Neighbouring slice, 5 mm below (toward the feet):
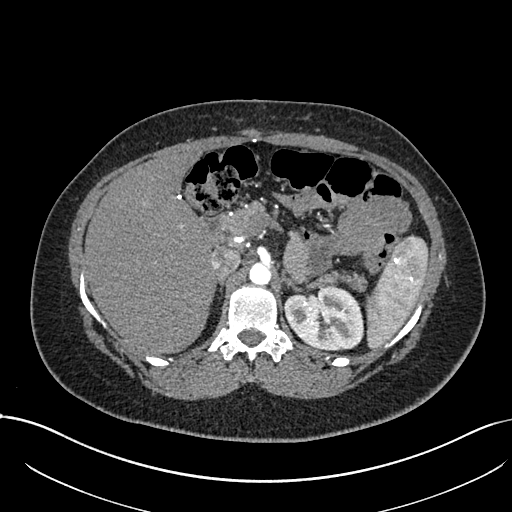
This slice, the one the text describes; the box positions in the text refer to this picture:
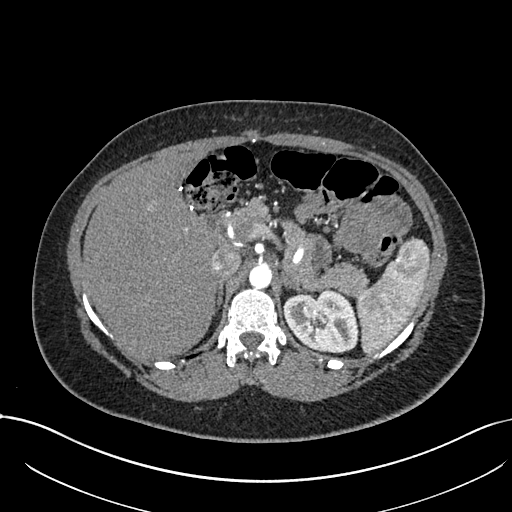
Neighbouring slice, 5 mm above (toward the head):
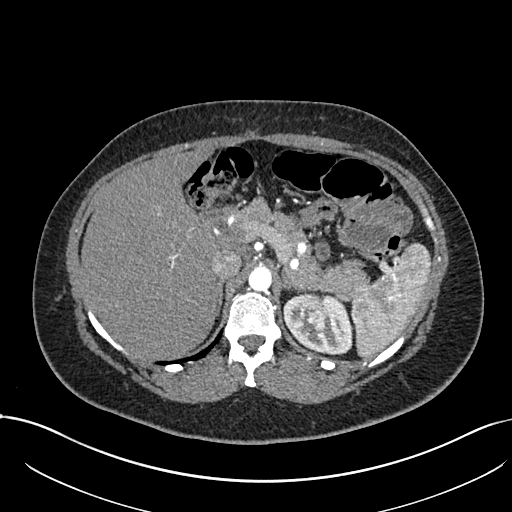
Arterial-phase contrast-enhanced abdominal CT, axial slice 520 of 738 (counted from the lowest slice); tube voltage 120 kVp, convolution kernel I30f; slices 1.00 mm thick, 0.789 mm per pixel.
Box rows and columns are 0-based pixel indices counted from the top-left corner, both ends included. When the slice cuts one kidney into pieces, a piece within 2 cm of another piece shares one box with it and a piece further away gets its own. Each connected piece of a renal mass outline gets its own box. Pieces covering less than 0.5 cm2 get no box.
One kidney box and one renal mass box on this slice; by box centre, from the image's left to its right: (1) Box rows 301–314, columns 306–322: left renal mass (outlined area 189 px, about 1.2 cm2). (2) Left kidney, box rows 290–353, columns 283–359 (outlined area 3,549 px, about 22.1 cm2). This slice is near the end of the left renal mass toward the feet, so the slices 5 mm below and 5 mm above it are shown as well; the boxes refer to this slice only.